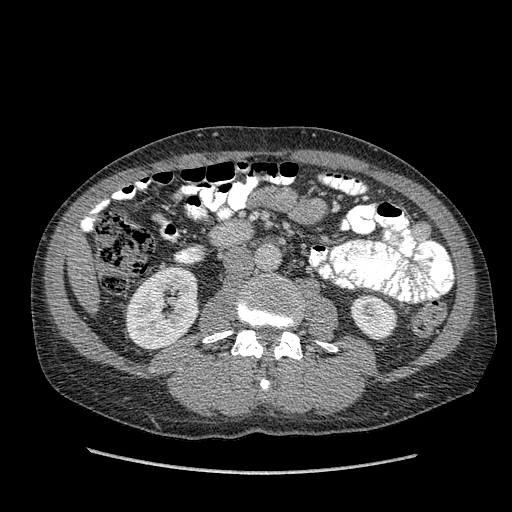
Axial slice 179 of 349 of a contrast-enhanced abdominal CT in the arterial phase (slice 1 is the lowest), 120 kVp, kernel STANDARD; 1.25 mm slice thickness and 0.742 mm pixels.
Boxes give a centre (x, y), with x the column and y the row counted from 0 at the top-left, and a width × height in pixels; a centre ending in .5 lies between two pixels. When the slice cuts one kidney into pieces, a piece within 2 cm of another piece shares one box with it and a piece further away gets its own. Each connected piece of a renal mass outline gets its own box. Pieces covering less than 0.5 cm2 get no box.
Two kidney boxes on this slice; by box centre, from the image's left to its right: (1) Right kidney in a box with centre (162, 308.5), 75 × 84 pixels (outlined area 4,756 px, about 26.2 cm2). (2) Left kidney in a box with centre (373.5, 316.5), 48 × 48 pixels (outlined area 1,662 px, about 9.2 cm2).